Abdominal CT with intravenous contrast, arterial phase, axial plane, 120 kVp, kernel I30f. Slice 407/612 from the bottom of the scan; thickness 1.00 mm; pixel size 0.703 mm.
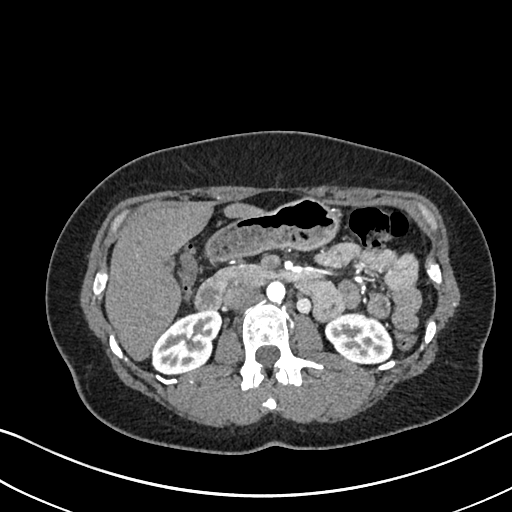
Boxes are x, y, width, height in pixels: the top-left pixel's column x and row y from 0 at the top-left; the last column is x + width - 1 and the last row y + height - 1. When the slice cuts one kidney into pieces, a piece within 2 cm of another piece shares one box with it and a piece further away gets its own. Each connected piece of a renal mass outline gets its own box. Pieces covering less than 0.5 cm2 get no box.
Two kidney boxes on this slice; by box centre, from the image's left to its right: (1) Right kidney, box x 152, y 309, width 71, height 67 (outlined area 3,138 px, about 15.5 cm2). (2) Left kidney at x 324, y 312, width 70, height 52 (outlined area 2,623 px, about 13.0 cm2). This slice carries no renal mass outline.